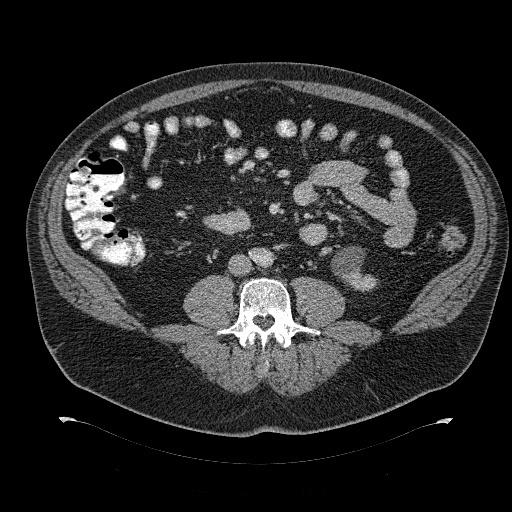
Abdominal CT with intravenous contrast, axial plane, 120 kVp, kernel B31f. Slice 149/274 from the bottom of the scan; thickness 2.00 mm; pixel size 0.977 mm.
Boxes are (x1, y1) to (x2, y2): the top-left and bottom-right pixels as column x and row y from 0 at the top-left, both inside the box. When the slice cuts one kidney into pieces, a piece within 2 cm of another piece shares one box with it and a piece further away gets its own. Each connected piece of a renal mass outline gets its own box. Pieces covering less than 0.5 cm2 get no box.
Box (331, 246) to (378, 292): left kidney (outlined area 1,282 px, about 12.2 cm2). No renal mass outline on this slice.